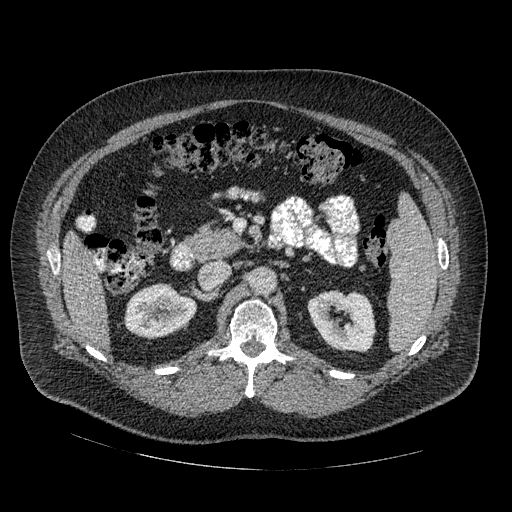
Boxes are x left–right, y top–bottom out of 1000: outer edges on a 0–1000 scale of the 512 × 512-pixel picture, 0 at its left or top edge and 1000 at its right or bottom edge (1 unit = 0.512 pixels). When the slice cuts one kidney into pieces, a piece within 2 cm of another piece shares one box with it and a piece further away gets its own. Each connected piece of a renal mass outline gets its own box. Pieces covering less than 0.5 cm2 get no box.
Slice 292/445 of a contrast-enhanced abdominal CT in the arterial phase, counting up from the lowest; pixel size 0.863 mm, slice thickness 1.25 mm. Two kidney boxes on this slice; by box centre, from the image's left to its right: (1) Right kidney, box x 242–387, y 553–664 out of 1000 (outlined area 2,967 px, about 22.1 cm2). (2) Left kidney, box x 600–736, y 566–688 out of 1000 (outlined area 3,262 px, about 24.3 cm2). No renal mass outline on this slice.
Scan settings: 120 kVp, STANDARD reconstruction kernel.